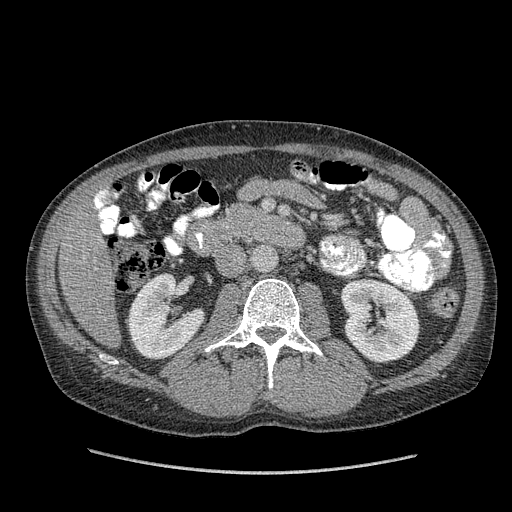
Arterial-phase contrast-enhanced abdominal CT, axial slice 199 of 349 (counted from the lowest slice); tube voltage 120 kVp, convolution kernel STANDARD; slices 1.25 mm thick, 0.742 mm per pixel.
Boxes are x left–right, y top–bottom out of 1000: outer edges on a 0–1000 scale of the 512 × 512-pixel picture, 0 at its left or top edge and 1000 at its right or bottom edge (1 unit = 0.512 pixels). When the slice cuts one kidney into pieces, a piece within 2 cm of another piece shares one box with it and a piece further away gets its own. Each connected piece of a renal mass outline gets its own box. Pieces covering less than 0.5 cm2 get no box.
Two kidney boxes on this slice; by box centre, from the image's left to its right: (1) Right kidney, box x 248–402, y 533–703 out of 1000 (outlined area 4,567 px, about 25.2 cm2). (2) Box x 664–822, y 543–711 out of 1000: left kidney (outlined area 5,283 px, about 29.1 cm2). No renal mass is outlined on this slice.